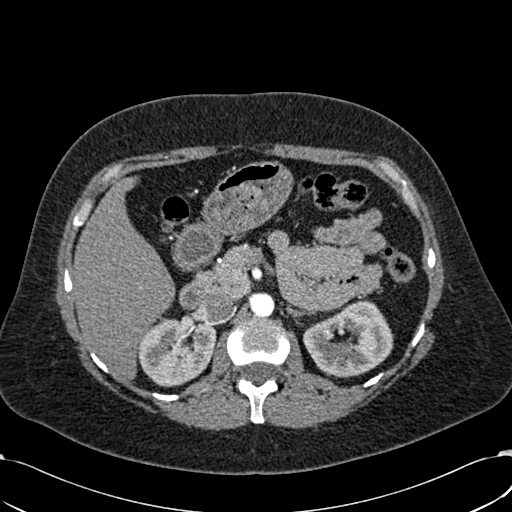
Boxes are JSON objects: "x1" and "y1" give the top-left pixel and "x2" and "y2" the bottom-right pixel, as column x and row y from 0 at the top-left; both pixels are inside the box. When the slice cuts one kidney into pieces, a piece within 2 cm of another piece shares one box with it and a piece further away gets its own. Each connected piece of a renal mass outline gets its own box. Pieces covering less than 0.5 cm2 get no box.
Arterial-phase contrast-enhanced abdominal CT, axial slice 399 of 532 (counted from the lowest slice); 1.00 mm thick, 0.713 mm per pixel. Two kidney boxes on this slice; by box centre, from the image's left to its right: (1) Right kidney at {"x1": 137, "y1": 318, "x2": 216, "y2": 386} (outlined area 4,220 px, about 21.4 cm2). (2) Left kidney at {"x1": 303, "y1": 299, "x2": 393, "y2": 377} (outlined area 4,826 px, about 24.5 cm2). No renal mass outline on this slice.
Tube voltage 120 kVp; convolution kernel B30f.